Arterial-phase contrast-enhanced abdominal CT, axial slice 17 of 61 (counted from the lowest slice); tube voltage 140 kVp, convolution kernel I41f; slices 3.00 mm thick, 0.947 mm per pixel.
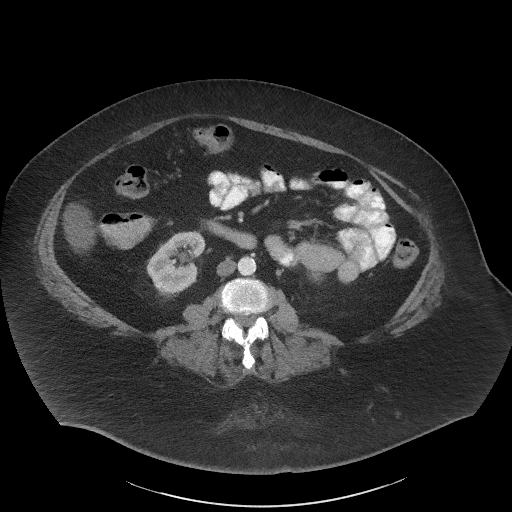
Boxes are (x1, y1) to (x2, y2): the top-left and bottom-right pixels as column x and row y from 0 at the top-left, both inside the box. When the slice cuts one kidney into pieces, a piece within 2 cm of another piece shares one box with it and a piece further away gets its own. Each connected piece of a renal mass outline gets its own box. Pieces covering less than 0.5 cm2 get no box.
Box (146, 230) to (206, 295): right kidney (outlined area 2,774 px, about 24.9 cm2). This slice carries no renal mass outline.